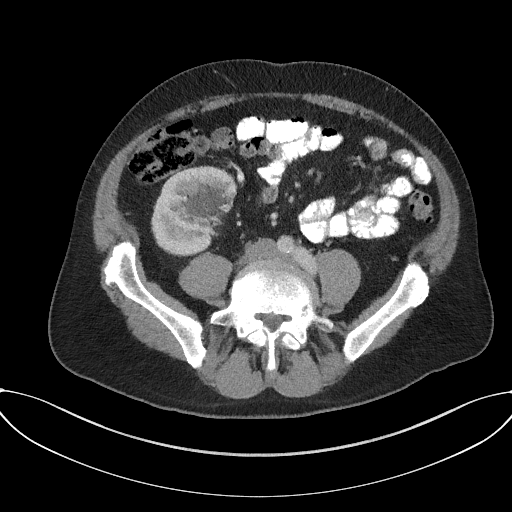
Axial slice 69 of 227 of a contrast-enhanced abdominal CT in the arterial phase (slice 1 is the lowest), 120 kVp, kernel I31f; 3.00 mm slice thickness and 0.816 mm pixels.
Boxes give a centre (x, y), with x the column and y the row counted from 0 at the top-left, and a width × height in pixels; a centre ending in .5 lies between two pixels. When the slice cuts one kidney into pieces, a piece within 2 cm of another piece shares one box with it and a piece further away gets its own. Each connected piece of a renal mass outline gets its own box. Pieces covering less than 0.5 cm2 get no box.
Box centre (193.5, 210.5), 86 × 92 pixels: right kidney (outlined area 5,720 px, about 38.1 cm2). No renal mass is outlined on this slice.